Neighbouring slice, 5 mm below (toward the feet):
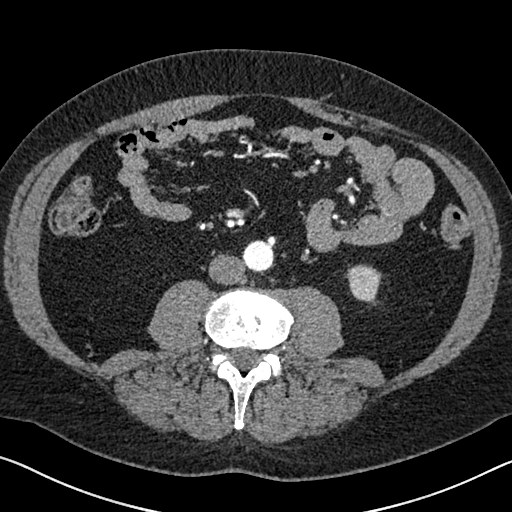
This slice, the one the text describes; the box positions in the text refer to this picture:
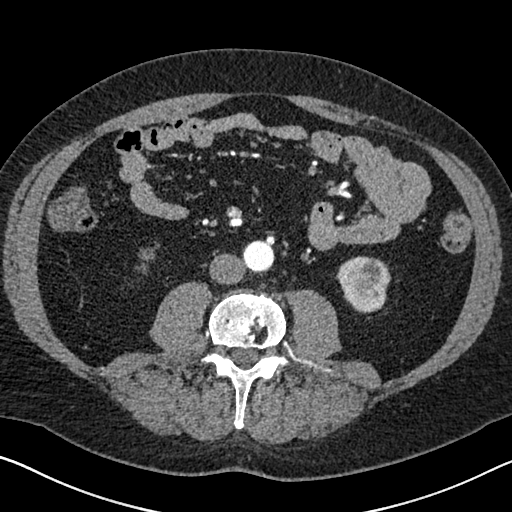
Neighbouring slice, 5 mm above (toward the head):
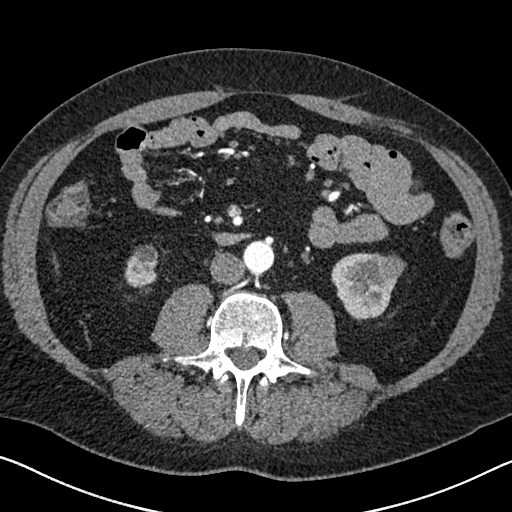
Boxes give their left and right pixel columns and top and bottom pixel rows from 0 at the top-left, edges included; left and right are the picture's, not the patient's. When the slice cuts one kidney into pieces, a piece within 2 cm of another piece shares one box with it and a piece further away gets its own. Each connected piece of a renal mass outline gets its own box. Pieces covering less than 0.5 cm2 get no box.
Slice 294/626 of a contrast-enhanced abdominal CT in the arterial phase, counting up from the lowest; pixel size 0.703 mm, slice thickness 1.00 mm. Boxed on this slice (two kidney boxes and one renal mass box), listed by box centre from the image's left to its right: (1) Right kidney in the box with left 138, top 245, right 157, bottom 261 (outlined area 188 px, about 0.9 cm2). (2) Left kidney, the box with left 337, top 256, right 390, bottom 311 (outlined area 2,202 px, about 10.9 cm2). (3) Left renal mass in the box with left 364, top 263, right 375, bottom 276 (outlined area 124 px, about 0.6 cm2). This slice is near the end of the left renal mass toward the feet, so the slices 5 mm below and 5 mm above it are shown as well; the boxes refer to this slice only.
Acquired at 120 kVp and reconstructed with the I30f kernel.